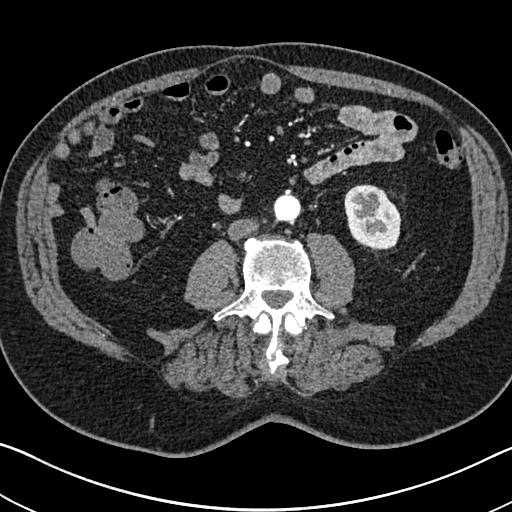
Arterial-phase contrast-enhanced abdominal CT, axial slice 302 of 705 (counted from the lowest slice); tube voltage 120 kVp, convolution kernel I30f; slices 1.00 mm thick, 0.703 mm per pixel.
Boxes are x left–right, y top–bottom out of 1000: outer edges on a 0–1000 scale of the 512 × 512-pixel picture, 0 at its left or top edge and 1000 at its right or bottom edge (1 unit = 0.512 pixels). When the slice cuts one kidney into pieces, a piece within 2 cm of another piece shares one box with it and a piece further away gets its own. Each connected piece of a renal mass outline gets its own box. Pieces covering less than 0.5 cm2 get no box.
Left kidney at x 672–785, y 359–492 out of 1000 (outlined area 2,952 px, about 14.6 cm2). No renal mass outline on this slice.